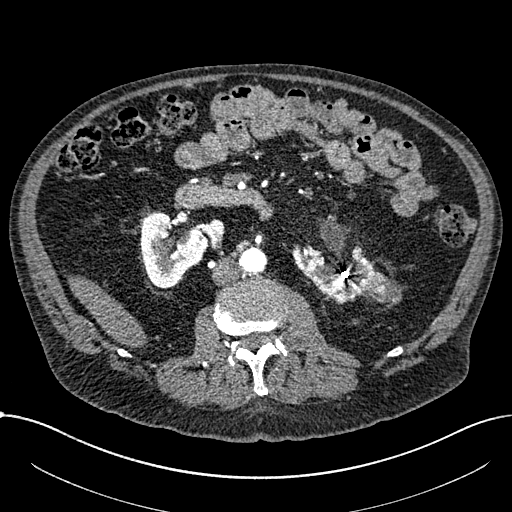
One axial slice (362 of 1059, counting up from the lowest) of an arterial-phase abdominal CT acquired with 100 kVp, kernel I30f; each pixel is 0.811 mm and the slice is 1.00 mm thick.
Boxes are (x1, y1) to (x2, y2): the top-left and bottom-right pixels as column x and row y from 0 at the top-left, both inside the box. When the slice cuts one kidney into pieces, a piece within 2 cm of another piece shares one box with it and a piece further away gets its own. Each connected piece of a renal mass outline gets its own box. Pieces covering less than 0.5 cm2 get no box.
Two kidney boxes and one renal mass box on this slice; by box centre, from the image's left to its right: (1) Right part of the midline-crossing kidney from (140, 212) to (208, 288) (outlined area 3,574 px, about 23.5 cm2). (2) Left part of the midline-crossing kidney, box (291, 244) to (383, 303) (outlined area 2,954 px, about 19.4 cm2). (3) Renal mass, box (359, 273) to (400, 303) (outlined area 879 px, about 5.8 cm2).